Axial slice 24 of 61 of a contrast-enhanced abdominal CT in the arterial phase (slice 1 is the lowest), 140 kVp, kernel I41f; 3.00 mm slice thickness and 0.947 mm pixels.
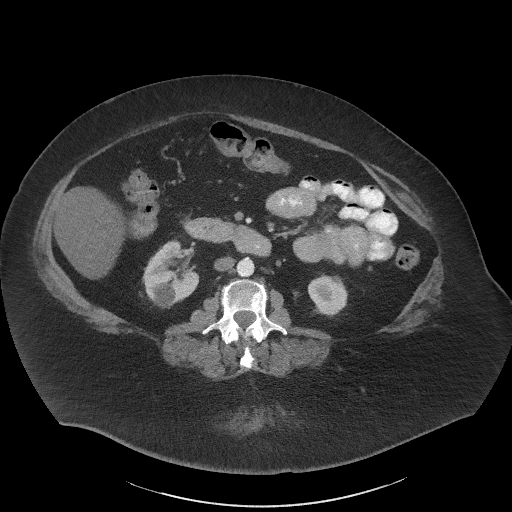
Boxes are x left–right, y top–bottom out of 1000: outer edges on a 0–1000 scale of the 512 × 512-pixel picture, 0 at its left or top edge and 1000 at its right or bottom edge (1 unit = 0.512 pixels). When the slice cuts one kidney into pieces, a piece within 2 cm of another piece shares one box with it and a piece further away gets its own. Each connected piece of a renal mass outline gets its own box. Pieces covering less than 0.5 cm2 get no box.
Two kidney boxes on this slice; by box centre, from the image's left to its right: (1) Right kidney at x 277–391, y 467–604 out of 1000 (outlined area 2,728 px, about 24.5 cm2). (2) Box x 600–680, y 535–621 out of 1000: left kidney (outlined area 1,311 px, about 11.8 cm2). No renal mass outline on this slice.